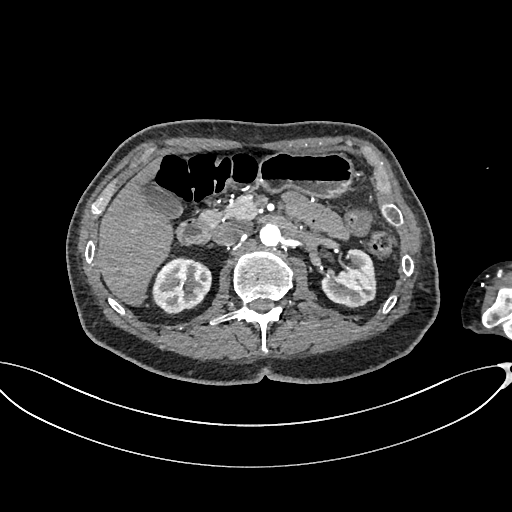
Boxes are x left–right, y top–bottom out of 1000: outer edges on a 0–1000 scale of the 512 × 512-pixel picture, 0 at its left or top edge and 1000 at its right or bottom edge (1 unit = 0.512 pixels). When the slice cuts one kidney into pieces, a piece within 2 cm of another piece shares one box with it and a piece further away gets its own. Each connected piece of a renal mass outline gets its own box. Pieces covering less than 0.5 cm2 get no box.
Slice 423/665 of a contrast-enhanced abdominal CT in the arterial phase, counting up from the lowest; pixel size 0.828 mm, slice thickness 1.00 mm. Two boxes on this slice (two kidney boxes), listed by box centre from the image's left to its right. (1) Box x 297–416, y 500–615 out of 1000: right kidney (outlined area 2,624 px, about 18.0 cm2). (2) Left kidney, box x 625–736, y 484–604 out of 1000 (outlined area 2,363 px, about 16.2 cm2). No renal mass outline on this slice.
Scan settings: 100 kVp, I26f reconstruction kernel.